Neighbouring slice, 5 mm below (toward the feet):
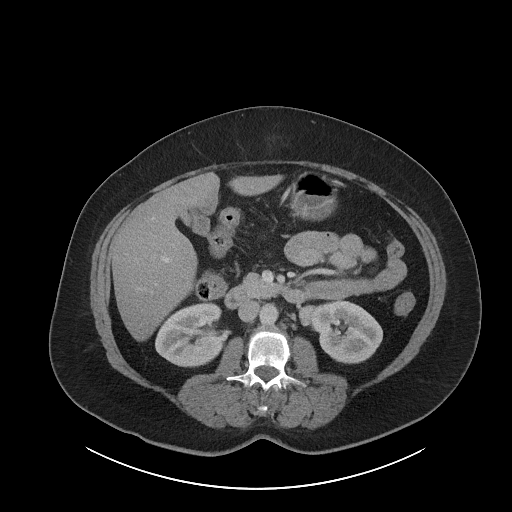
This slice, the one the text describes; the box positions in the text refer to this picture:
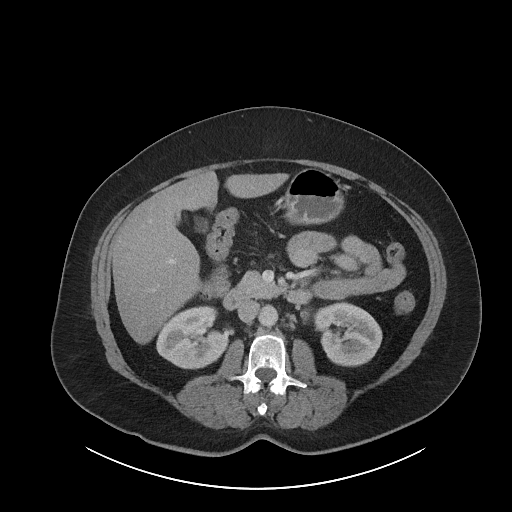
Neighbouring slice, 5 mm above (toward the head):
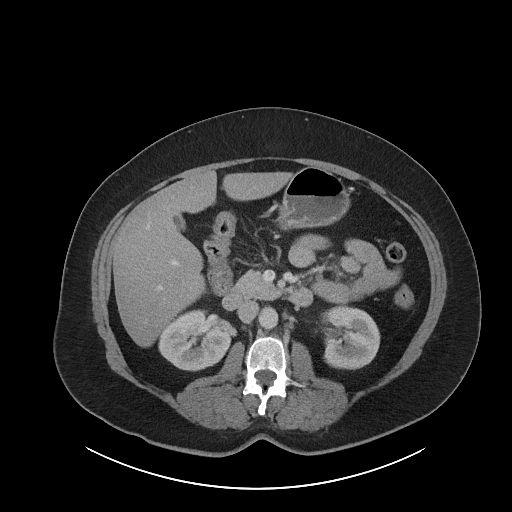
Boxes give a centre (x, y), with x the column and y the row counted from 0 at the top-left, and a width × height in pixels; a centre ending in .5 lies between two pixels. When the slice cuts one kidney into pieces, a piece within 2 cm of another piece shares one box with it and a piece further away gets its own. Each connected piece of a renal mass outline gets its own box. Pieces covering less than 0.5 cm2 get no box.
Arterial-phase contrast-enhanced abdominal CT, axial slice 53 of 86 (counted from the lowest slice); 5.00 mm thick, 0.977 mm per pixel. Three boxes on this slice (two kidney boxes and one renal mass box), listed by box centre from the image's left to its right. (1) Right kidney, box centre (192, 337.5), 73 × 64 pixels (outlined area 3,353 px, about 32.0 cm2). (2) Left renal mass, box centre (304.5, 314.5), 10 × 8 pixels (outlined area 68 px, about 0.6 cm2). (3) Left kidney, box centre (348, 334), 69 × 65 pixels (outlined area 3,348 px, about 31.9 cm2). This slice is near the end of the left renal mass toward the head, so the slices 5 mm below and 5 mm above it are shown as well; the boxes refer to this slice only.
Tube voltage 120 kVp; convolution kernel I40f.